Arterial-phase contrast-enhanced abdominal CT, axial slice 73 of 326 (counted from the lowest slice); tube voltage 120 kVp, convolution kernel B31f; slices 2.00 mm thick, 0.963 mm per pixel.
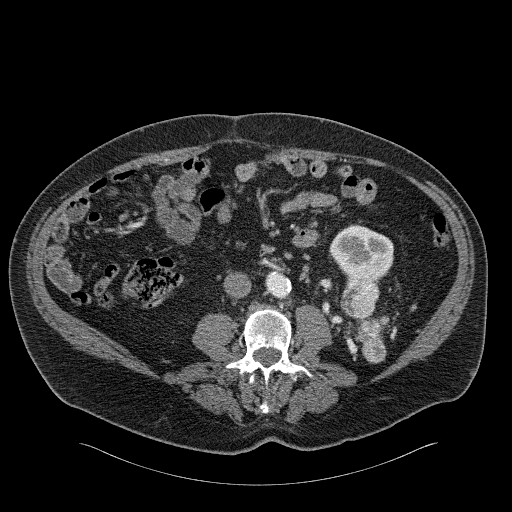
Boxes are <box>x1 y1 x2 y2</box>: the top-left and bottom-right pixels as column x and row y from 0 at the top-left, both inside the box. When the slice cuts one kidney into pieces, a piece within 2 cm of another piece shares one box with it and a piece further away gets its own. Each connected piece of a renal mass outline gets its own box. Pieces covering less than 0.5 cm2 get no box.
One kidney box and one renal mass box on this slice; by box centre, from the image's left to its right: (1) At <box>329 224 393 284</box>: left kidney (outlined area 2,731 px, about 25.3 cm2). (2) Left renal mass: <box>340 276 386 363</box> (outlined area 2,394 px, about 22.2 cm2).